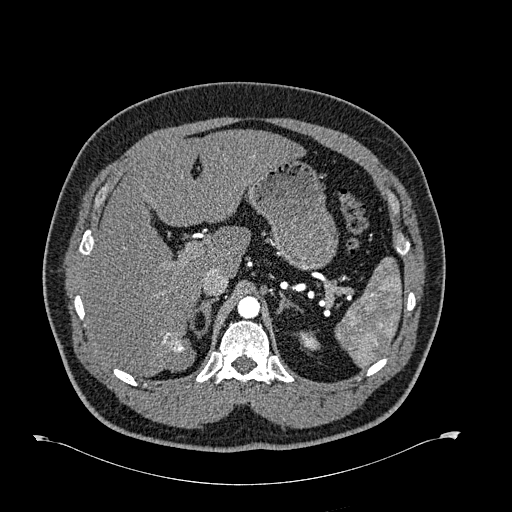
Abdominal CT with intravenous contrast, arterial phase, axial plane, 120 kVp, kernel B30f. Slice 496/723 from the bottom of the scan; thickness 1.00 mm; pixel size 0.895 mm.
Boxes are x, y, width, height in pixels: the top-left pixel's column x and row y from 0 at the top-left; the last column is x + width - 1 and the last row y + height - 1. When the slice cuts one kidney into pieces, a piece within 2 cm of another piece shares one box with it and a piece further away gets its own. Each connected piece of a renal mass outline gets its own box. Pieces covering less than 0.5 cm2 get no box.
Left kidney, box x 298, y 331, width 23, height 20 (outlined area 315 px, about 2.5 cm2). No renal mass outline on this slice.